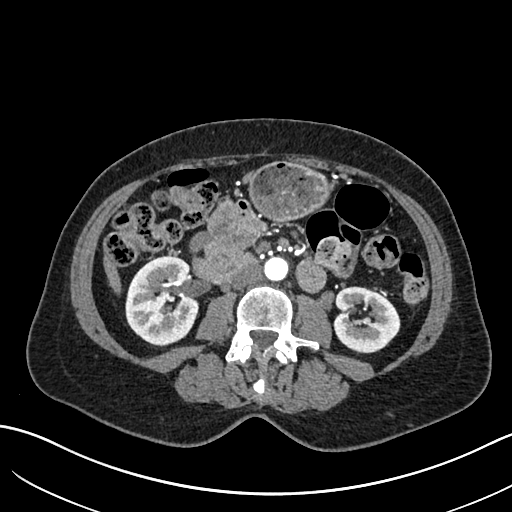
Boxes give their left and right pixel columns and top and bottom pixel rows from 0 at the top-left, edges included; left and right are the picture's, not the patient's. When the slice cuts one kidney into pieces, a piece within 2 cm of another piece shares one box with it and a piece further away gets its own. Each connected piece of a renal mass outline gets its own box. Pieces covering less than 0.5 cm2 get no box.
Slice 326/683 of a contrast-enhanced abdominal CT in the arterial phase, counting up from the lowest; pixel size 0.738 mm, slice thickness 1.00 mm. Two kidney boxes on this slice; by box centre, from the image's left to its right: (1) Box with left 125, top 257, right 198, bottom 346: right kidney (outlined area 5,222 px, about 28.5 cm2). (2) Left kidney, the box with left 333, top 286, right 400, bottom 353 (outlined area 3,414 px, about 18.6 cm2). No renal mass outline on this slice.
Tube voltage 120 kVp; convolution kernel I30f.